One axial slice (155 of 1059, counting up from the lowest) of an arterial-phase abdominal CT acquired with 100 kVp, kernel I30f; each pixel is 0.811 mm and the slice is 1.00 mm thick.
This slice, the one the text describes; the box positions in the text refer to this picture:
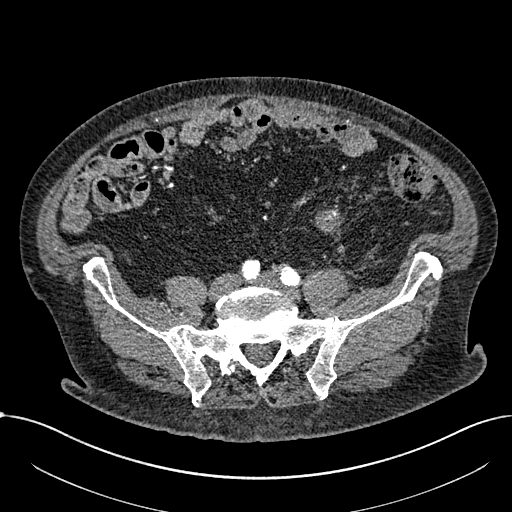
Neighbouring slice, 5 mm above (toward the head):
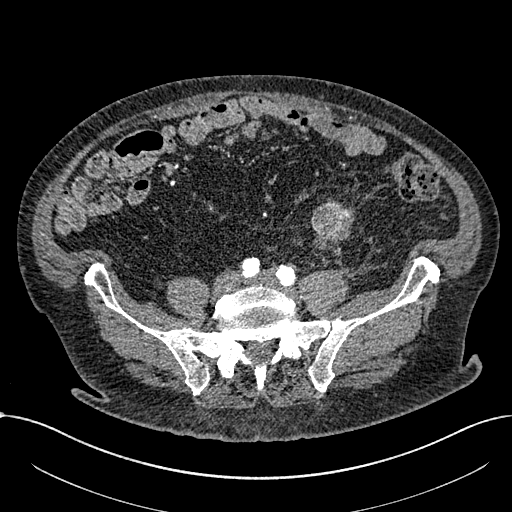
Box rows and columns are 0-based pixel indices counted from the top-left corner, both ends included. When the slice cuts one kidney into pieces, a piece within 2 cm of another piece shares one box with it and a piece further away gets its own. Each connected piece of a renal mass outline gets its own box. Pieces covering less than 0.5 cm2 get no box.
Renal mass, box rows 209–236, columns 315–342 (outlined area 569 px, about 3.7 cm2); this slice has no kidney outline, though on another slice the same outlined renal mass lies within 1 cm of the kidney. This slice lies near the end of a renal mass toward the feet; the slice 5 mm above it is shown too, and the boxes mark positions on this slice only.